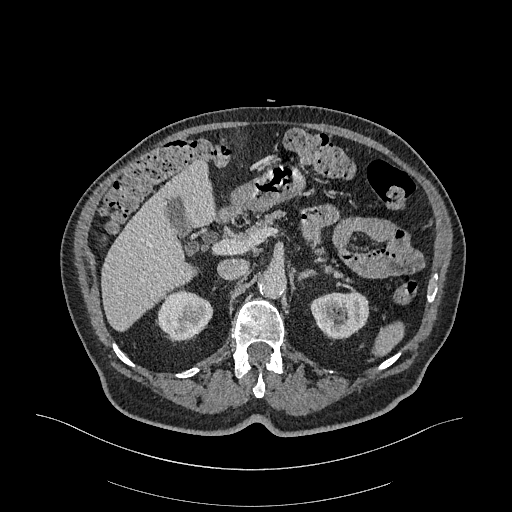
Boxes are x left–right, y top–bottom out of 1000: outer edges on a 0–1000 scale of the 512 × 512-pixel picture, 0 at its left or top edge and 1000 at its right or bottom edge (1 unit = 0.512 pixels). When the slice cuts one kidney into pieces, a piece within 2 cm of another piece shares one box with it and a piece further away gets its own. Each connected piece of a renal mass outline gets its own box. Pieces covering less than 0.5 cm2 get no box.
This is axial slice 222 of 470 (slice 1 is the lowest) of an arterial-phase abdominal CT with contrast; each pixel is 0.938 mm and the slice is 1.00 mm thick. Two boxes on this slice (two kidney boxes), listed by box centre from the image's left to its right. (1) Right kidney at x 307–418, y 568–666 out of 1000 (outlined area 2,115 px, about 18.6 cm2). (2) Left kidney, box x 604–723, y 568–666 out of 1000 (outlined area 2,235 px, about 19.6 cm2). This slice carries no renal mass outline.
Tube voltage 120 kVp; convolution kernel I26f.